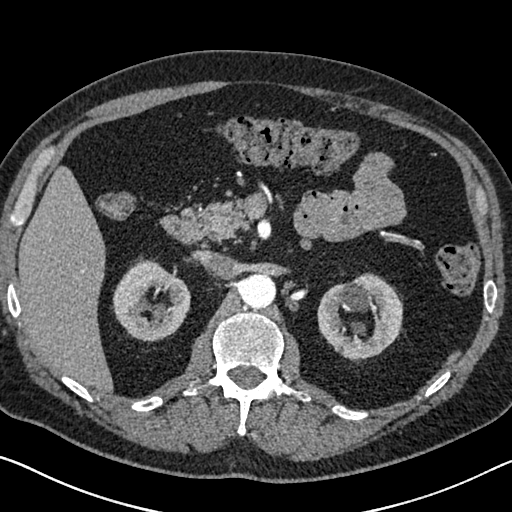
One axial slice (439 of 626, counting up from the lowest) of an arterial-phase abdominal CT acquired with 120 kVp, kernel I30f; each pixel is 0.703 mm and the slice is 1.00 mm thick.
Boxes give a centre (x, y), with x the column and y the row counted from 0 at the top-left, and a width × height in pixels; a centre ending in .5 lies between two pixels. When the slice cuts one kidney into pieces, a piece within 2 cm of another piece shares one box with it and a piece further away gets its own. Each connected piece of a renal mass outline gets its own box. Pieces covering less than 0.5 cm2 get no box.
Two kidney boxes on this slice; by box centre, from the image's left to its right: (1) Right kidney, box centre (151, 299), 79 × 87 pixels (outlined area 4,513 px, about 22.3 cm2). (2) Left kidney, box centre (359.5, 317.5), 86 × 92 pixels (outlined area 5,152 px, about 25.5 cm2). No renal mass is outlined on this slice.